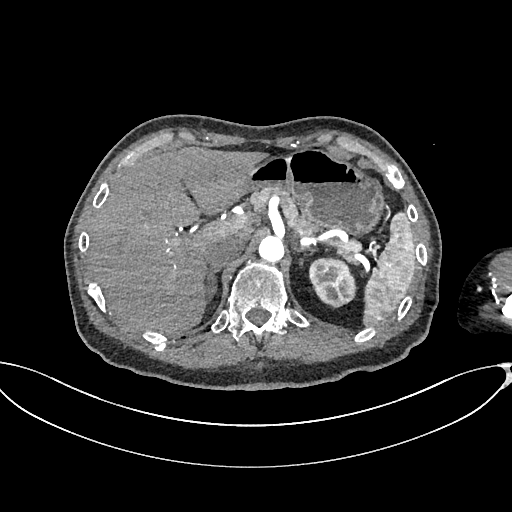
Abdominal CT with intravenous contrast, arterial phase, axial plane, 100 kVp, kernel I26f. Slice 497/665 from the bottom of the scan; thickness 1.00 mm; pixel size 0.828 mm.
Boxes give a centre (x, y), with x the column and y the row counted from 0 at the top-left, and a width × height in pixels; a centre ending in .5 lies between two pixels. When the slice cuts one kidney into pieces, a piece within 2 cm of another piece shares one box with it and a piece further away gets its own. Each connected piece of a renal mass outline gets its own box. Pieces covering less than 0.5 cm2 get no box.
Left kidney, box centre (332.5, 282), 50 × 53 pixels (outlined area 1,885 px, about 12.9 cm2). This slice carries no renal mass outline.